Arterial-phase contrast-enhanced abdominal CT, axial slice 113 of 326 (counted from the lowest slice); tube voltage 120 kVp, convolution kernel B31f; slices 2.00 mm thick, 0.963 mm per pixel.
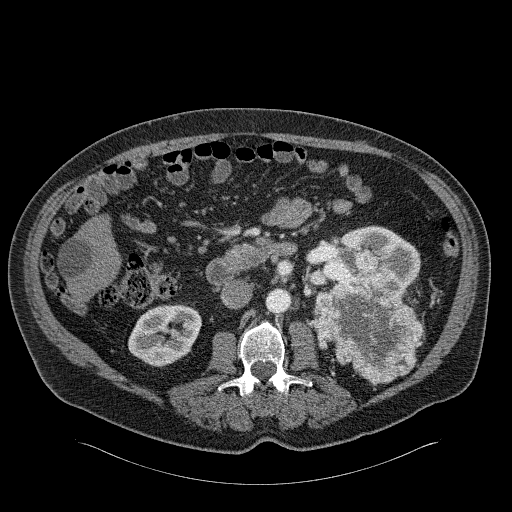
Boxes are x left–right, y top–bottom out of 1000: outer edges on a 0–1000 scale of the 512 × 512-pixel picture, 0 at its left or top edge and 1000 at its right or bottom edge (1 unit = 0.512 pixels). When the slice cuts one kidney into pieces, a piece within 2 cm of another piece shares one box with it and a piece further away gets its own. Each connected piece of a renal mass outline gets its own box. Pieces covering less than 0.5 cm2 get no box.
Two kidney boxes and one renal mass box on this slice; by box centre, from the image's left to its right: (1) Right kidney, box x 250–395, y 594–717 out of 1000 (outlined area 3,389 px, about 31.4 cm2). (2) Box x 613–826, y 482–750 out of 1000: left renal mass (outlined area 9,036 px, about 83.8 cm2). (3) Left kidney, box x 623–822, y 439–584 out of 1000 (outlined area 3,751 px, about 34.8 cm2).